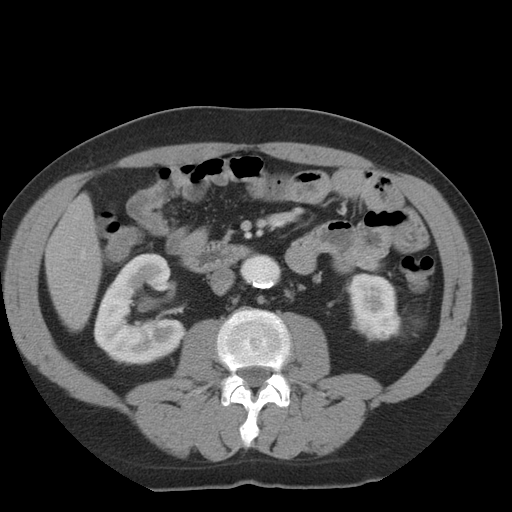
Axial slice 9 of 36 of a contrast-enhanced abdominal CT in the arterial phase (slice 1 is the lowest), 140 kVp, kernel STANDARD; 5.00 mm slice thickness and 0.703 mm pixels.
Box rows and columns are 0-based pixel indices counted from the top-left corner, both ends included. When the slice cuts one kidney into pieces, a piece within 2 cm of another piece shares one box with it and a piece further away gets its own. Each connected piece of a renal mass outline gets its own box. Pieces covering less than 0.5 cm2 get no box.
Boxed on this slice (two kidney boxes), listed by box centre from the image's left to its right: (1) Box rows 252–365, columns 93–188: right kidney (outlined area 7,383 px, about 36.5 cm2). (2) Left kidney, box rows 272–341, columns 349–399 (outlined area 2,827 px, about 14.0 cm2). No renal mass outline on this slice.